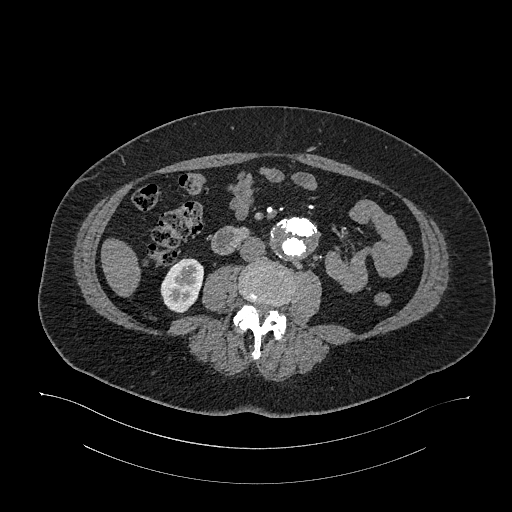
Abdominal CT with intravenous contrast, arterial phase, axial plane, 120 kVp, kernel I26f. Slice 554/987 from the bottom of the scan; thickness 1.00 mm; pixel size 0.977 mm.
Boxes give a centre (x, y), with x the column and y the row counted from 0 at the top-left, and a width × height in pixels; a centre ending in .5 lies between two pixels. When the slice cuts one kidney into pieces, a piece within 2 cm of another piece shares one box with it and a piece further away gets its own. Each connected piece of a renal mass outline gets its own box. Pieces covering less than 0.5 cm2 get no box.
Box centre (181.5, 285.5), 44 × 56 pixels: right kidney (outlined area 1,782 px, about 17.0 cm2). No renal mass is outlined on this slice.